One axial slice (620 of 987, counting up from the lowest) of an arterial-phase abdominal CT acquired with 120 kVp, kernel I26f; each pixel is 0.977 mm and the slice is 1.00 mm thick.
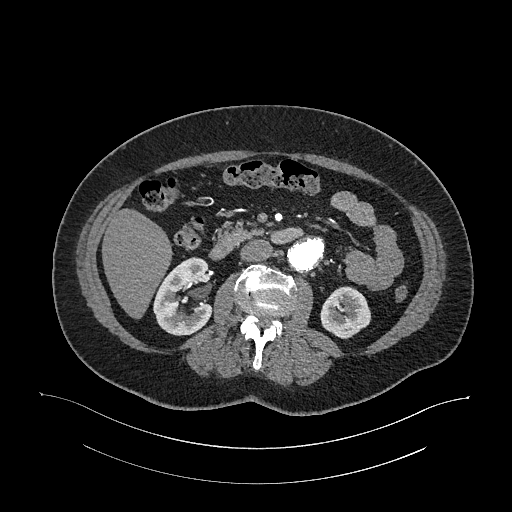
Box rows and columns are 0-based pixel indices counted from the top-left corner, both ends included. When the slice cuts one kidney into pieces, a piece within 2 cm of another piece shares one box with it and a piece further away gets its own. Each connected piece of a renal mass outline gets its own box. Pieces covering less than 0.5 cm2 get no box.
Two boxes on this slice (two kidney boxes), listed by box centre from the image's left to its right. (1) Right kidney, box rows 257–335, columns 153–213 (outlined area 3,384 px, about 32.3 cm2). (2) Left kidney at rows 286–338, columns 320–371 (outlined area 2,009 px, about 19.2 cm2). No renal mass is outlined on this slice.